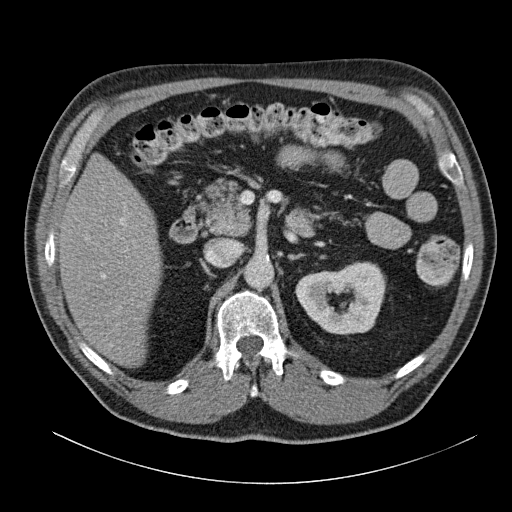
Abdominal CT with intravenous contrast, arterial phase, axial plane, 120 kVp, kernel B31f. Slice 79/140 from the bottom of the scan; thickness 5.00 mm; pixel size 0.754 mm.
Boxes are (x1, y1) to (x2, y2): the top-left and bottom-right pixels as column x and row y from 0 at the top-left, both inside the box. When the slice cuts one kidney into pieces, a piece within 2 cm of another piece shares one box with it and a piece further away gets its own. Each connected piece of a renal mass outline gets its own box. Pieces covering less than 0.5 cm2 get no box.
Left kidney from (295, 261) to (386, 335) (outlined area 4,800 px, about 27.3 cm2). This slice carries no renal mass outline.